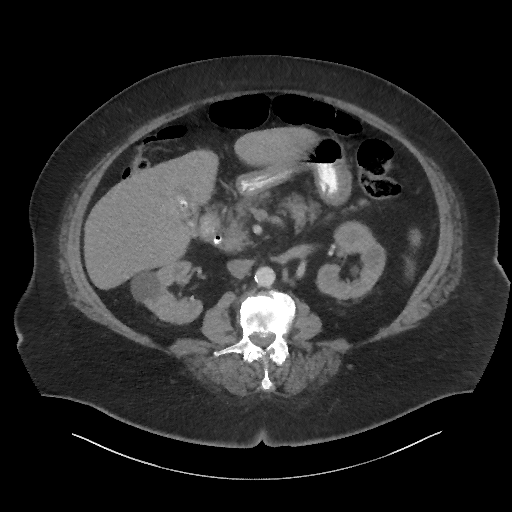
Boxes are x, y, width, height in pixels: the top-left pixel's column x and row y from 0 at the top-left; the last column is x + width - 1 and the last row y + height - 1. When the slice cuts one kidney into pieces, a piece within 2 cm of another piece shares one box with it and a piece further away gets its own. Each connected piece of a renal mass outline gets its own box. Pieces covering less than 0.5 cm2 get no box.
This is axial slice 35 of 86 (slice 1 is the lowest) of an abdominal CT with contrast; each pixel is 0.977 mm and the slice is 3.00 mm thick. Boxed on this slice (two kidney boxes), listed by box centre from the image's left to its right: (1) Right kidney at x 131, y 262, width 72, height 63 (outlined area 2,795 px, about 26.7 cm2). (2) Left kidney, box x 316, y 221, width 70, height 82 (outlined area 3,550 px, about 33.9 cm2). This slice carries no renal mass outline.
Scan settings: 140 kVp, I44f reconstruction kernel.